Contrast-enhanced abdominal CT, axial slice 24 of 301 (counted from the lowest slice); tube voltage 120 kVp, convolution kernel I40f; slices 2.00 mm thick, 0.859 mm per pixel.
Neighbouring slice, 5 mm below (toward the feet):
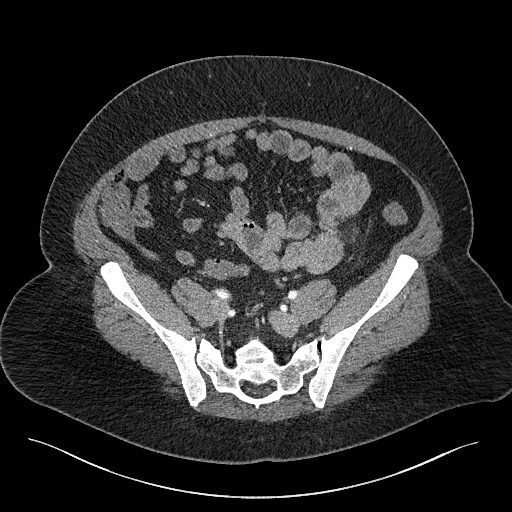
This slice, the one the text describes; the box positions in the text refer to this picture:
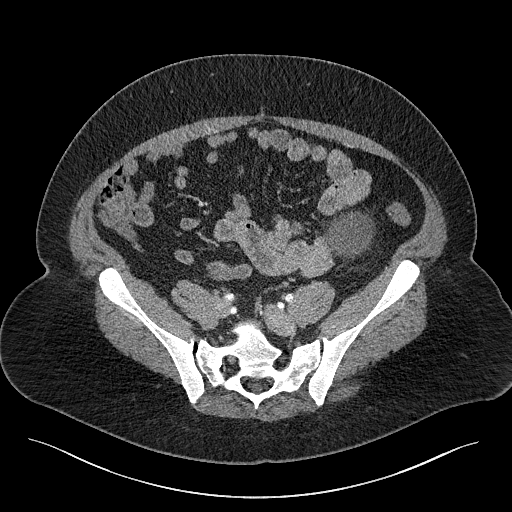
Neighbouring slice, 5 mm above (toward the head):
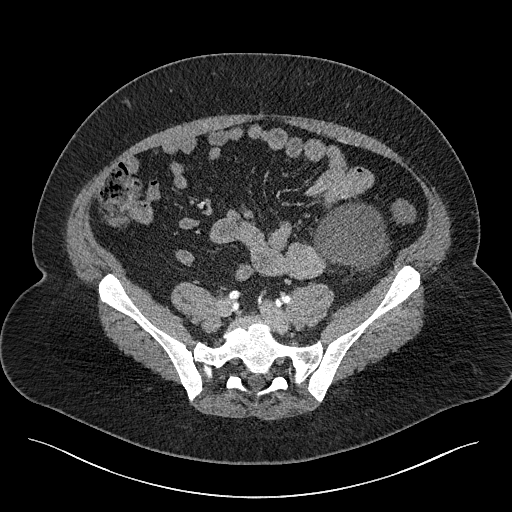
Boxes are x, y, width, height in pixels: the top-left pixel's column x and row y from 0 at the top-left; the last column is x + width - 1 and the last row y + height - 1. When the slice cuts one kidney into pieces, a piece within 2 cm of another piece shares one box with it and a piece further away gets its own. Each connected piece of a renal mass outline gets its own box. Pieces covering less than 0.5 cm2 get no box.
Box x 323, y 211, width 52, height 48: left renal mass (outlined area 1,797 px, about 13.3 cm2); this slice has no kidney outline, though on another slice the same outlined renal mass lies within 1 cm of the kidney. This slice lies near the end of the left renal mass toward the feet; the slices 5 mm below and 5 mm above it are shown too, and the boxes mark positions on this slice only.